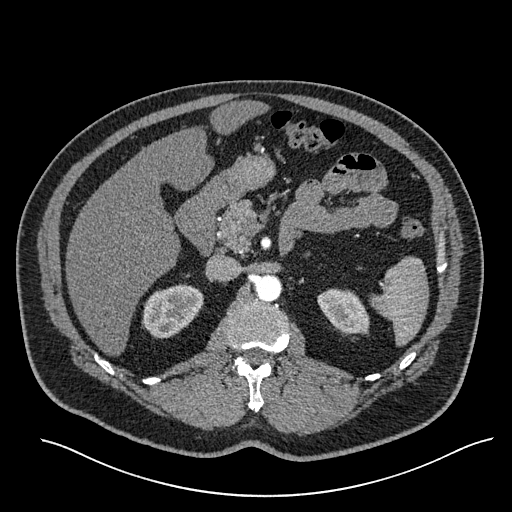
Axial slice 380 of 527 of a contrast-enhanced abdominal CT in the arterial phase (slice 1 is the lowest), 120 kVp, kernel I30f; 1.00 mm slice thickness and 0.859 mm pixels.
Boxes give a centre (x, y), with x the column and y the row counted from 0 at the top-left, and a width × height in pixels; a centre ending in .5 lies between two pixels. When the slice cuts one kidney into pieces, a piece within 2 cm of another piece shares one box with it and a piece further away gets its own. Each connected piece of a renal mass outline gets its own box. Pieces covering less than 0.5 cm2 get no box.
Two boxes on this slice (two kidney boxes), listed by box centre from the image's left to its right. (1) Right kidney, box centre (172, 311), 63 × 55 pixels (outlined area 2,459 px, about 18.2 cm2). (2) Box centre (343, 311), 53 × 47 pixels: left kidney (outlined area 1,741 px, about 12.9 cm2). This slice carries no renal mass outline.